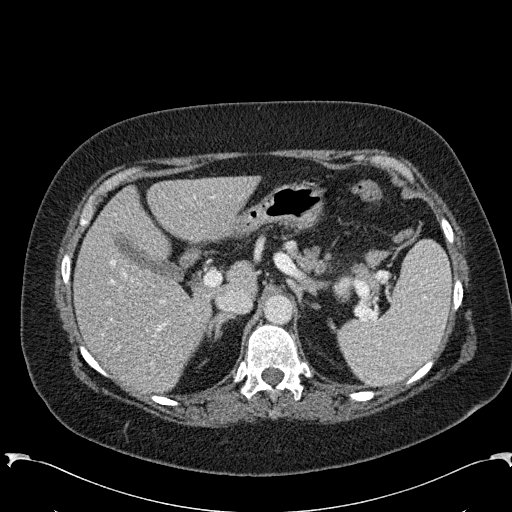
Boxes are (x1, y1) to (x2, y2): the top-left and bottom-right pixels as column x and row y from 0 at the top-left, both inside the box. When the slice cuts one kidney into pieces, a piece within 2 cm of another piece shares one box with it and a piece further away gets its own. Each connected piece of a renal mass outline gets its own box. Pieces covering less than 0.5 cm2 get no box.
Slice 185/285 of a contrast-enhanced abdominal CT in the arterial phase, counting up from the lowest; pixel size 0.762 mm, slice thickness 2.00 mm. Box (333, 272) to (349, 294): left kidney (outlined area 277 px, about 1.6 cm2). This slice carries no renal mass outline.
Acquired at 120 kVp and reconstructed with the B31f kernel.